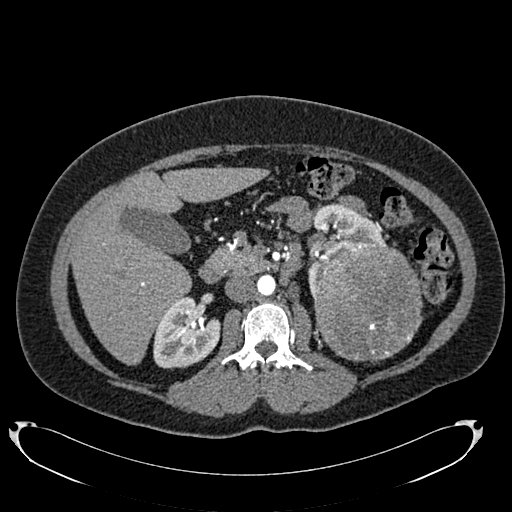
Arterial-phase contrast-enhanced abdominal CT, axial slice 438 of 634 (counted from the lowest slice); tube voltage 120 kVp, convolution kernel B20f; slices 1.00 mm thick, 0.838 mm per pixel.
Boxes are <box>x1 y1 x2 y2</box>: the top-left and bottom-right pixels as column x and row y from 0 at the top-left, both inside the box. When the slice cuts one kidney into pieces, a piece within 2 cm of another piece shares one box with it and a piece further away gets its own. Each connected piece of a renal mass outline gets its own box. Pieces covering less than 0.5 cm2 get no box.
Boxed on this slice (two kidney boxes and one renal mass box), listed by box centre from the image's left to its right: (1) Right kidney: <box>153 296 220 368</box> (outlined area 3,537 px, about 24.8 cm2). (2) Left kidney: <box>307 204 385 297</box> (outlined area 3,067 px, about 21.5 cm2). (3) Left renal mass: <box>313 244 422 361</box> (outlined area 10,408 px, about 73.1 cm2).